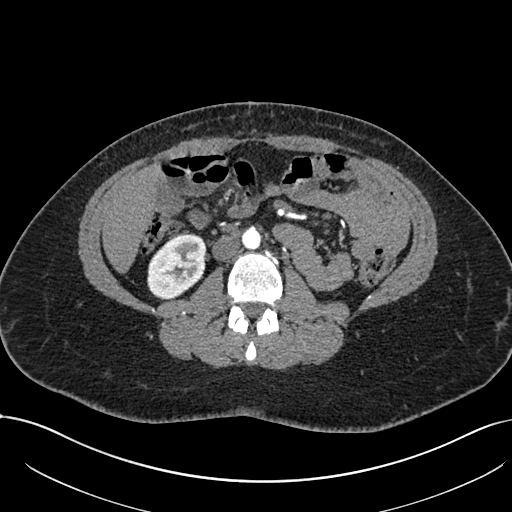
One axial slice (357 of 738, counting up from the lowest) of an arterial-phase abdominal CT acquired with 120 kVp, kernel I30f; each pixel is 0.789 mm and the slice is 1.00 mm thick.
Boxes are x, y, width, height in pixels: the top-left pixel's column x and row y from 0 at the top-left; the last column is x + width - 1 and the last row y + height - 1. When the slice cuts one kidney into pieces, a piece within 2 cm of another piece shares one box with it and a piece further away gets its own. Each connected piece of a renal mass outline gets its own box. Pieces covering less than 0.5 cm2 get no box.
Right kidney at x 147, y 234, width 60, height 65 (outlined area 2,917 px, about 18.2 cm2). No renal mass outline on this slice.